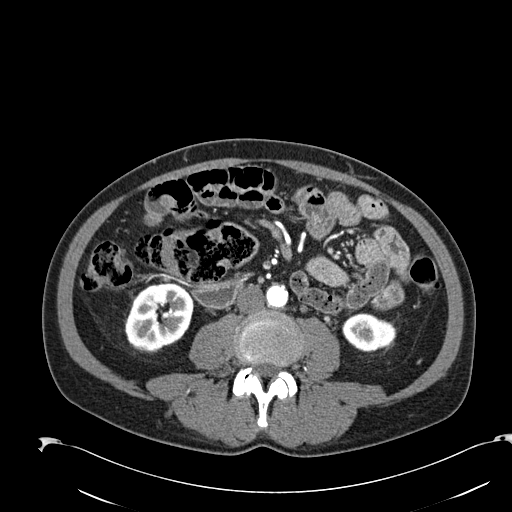
One axial slice (68 of 274, counting up from the lowest) of an arterial-phase abdominal CT acquired with 120 kVp, kernel B30f; each pixel is 0.809 mm and the slice is 2.00 mm thick.
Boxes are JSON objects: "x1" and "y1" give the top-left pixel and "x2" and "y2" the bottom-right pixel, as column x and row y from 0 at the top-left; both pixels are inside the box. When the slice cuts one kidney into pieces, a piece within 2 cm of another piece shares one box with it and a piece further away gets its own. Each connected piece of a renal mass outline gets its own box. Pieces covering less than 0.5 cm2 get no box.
Two boxes on this slice (two kidney boxes), listed by box centre from the image's left to its right. (1) Box {"x1": 124, "y1": 285, "x2": 191, "y2": 353}: right kidney (outlined area 3,428 px, about 22.4 cm2). (2) Left kidney at {"x1": 342, "y1": 312, "x2": 396, "y2": 351} (outlined area 1,607 px, about 10.5 cm2). This slice carries no renal mass outline.